Abdominal CT with intravenous contrast, axial plane, 120 kVp, kernel B30f. Slice 67/92 from the bottom of the scan; thickness 5.00 mm; pixel size 0.918 mm.
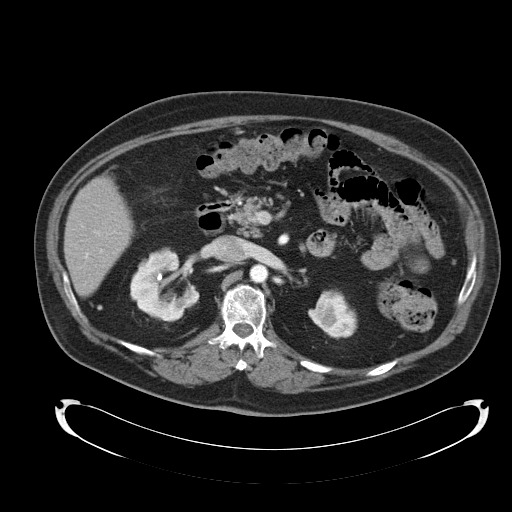
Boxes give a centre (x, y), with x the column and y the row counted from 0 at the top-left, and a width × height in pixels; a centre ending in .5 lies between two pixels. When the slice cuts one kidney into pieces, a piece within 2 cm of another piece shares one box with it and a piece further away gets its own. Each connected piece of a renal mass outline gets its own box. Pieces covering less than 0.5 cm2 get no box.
Boxed on this slice (two kidney boxes), listed by box centre from the image's left to its right: (1) Right kidney in a box with centre (164, 282.5), 71 × 72 pixels (outlined area 3,359 px, about 28.3 cm2). (2) Box centre (332, 314), 51 × 51 pixels: left kidney (outlined area 1,707 px, about 14.4 cm2). No renal mass is outlined on this slice.